Arterial-phase contrast-enhanced abdominal CT, axial slice 216 of 670 (counted from the lowest slice); tube voltage 120 kVp, convolution kernel I30f; slices 1.00 mm thick, 0.861 mm per pixel.
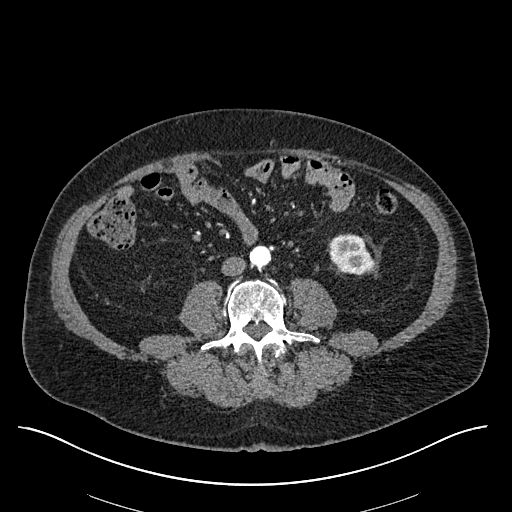
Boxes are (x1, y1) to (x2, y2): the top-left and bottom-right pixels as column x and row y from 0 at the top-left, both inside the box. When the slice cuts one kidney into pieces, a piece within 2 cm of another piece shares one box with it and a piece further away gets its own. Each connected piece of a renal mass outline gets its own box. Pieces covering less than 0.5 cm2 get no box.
Left kidney, box (328, 233) to (375, 274) (outlined area 1,459 px, about 10.8 cm2). This slice carries no renal mass outline.